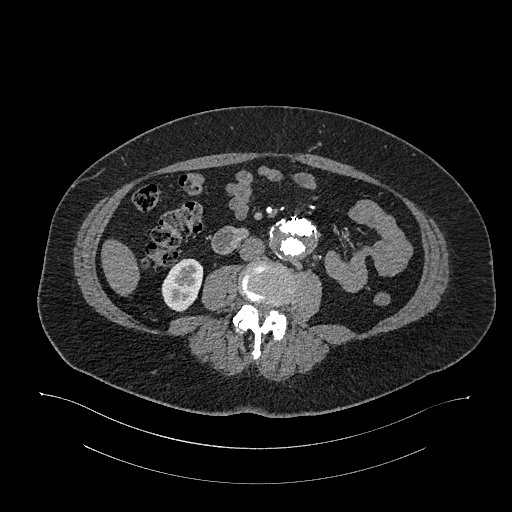
Abdominal CT with intravenous contrast, arterial phase, axial plane, 120 kVp, kernel I26f. Slice 552/987 from the bottom of the scan; thickness 1.00 mm; pixel size 0.977 mm.
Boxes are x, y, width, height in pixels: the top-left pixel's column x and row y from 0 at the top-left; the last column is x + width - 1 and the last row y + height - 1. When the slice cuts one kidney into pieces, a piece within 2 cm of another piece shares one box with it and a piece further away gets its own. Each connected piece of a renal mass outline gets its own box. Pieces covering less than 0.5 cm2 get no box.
Right kidney at x 161, y 258, width 43, height 54 (outlined area 1,670 px, about 15.9 cm2). No renal mass outline on this slice.